One axial slice (164 of 325, counting up from the lowest) of an arterial-phase abdominal CT acquired with 100 kVp, kernel I30f; each pixel is 0.703 mm and the slice is 1.00 mm thick.
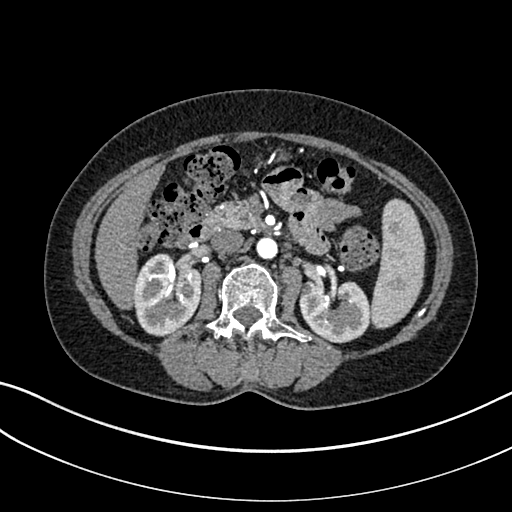
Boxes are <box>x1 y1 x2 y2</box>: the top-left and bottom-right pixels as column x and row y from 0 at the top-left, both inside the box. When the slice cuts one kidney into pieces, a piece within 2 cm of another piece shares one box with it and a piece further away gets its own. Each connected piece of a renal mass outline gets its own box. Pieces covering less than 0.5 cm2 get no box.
Two kidney boxes on this slice; by box centre, from the image's left to its right: (1) Right kidney at <box>134 253 201 336</box> (outlined area 4,390 px, about 21.7 cm2). (2) At <box>299 280 370 343</box>: left kidney (outlined area 3,582 px, about 17.7 cm2). No renal mass is outlined on this slice.